Axial slice 261 of 527 of a contrast-enhanced abdominal CT in the arterial phase (slice 1 is the lowest), 120 kVp, kernel I30f; 1.00 mm slice thickness and 0.859 mm pixels.
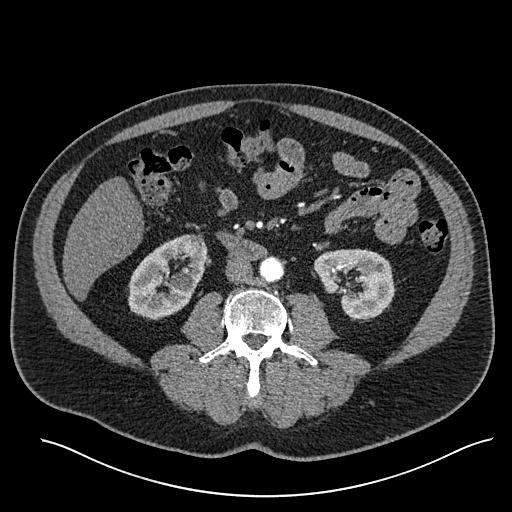
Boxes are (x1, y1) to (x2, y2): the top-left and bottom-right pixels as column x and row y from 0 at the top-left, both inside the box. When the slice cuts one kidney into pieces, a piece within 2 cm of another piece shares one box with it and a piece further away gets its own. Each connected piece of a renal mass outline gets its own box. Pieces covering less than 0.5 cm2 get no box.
Two boxes on this slice (two kidney boxes), listed by box centre from the image's left to its right. (1) Box (128, 234) to (207, 318): right kidney (outlined area 4,533 px, about 33.5 cm2). (2) Left kidney from (313, 248) to (395, 320) (outlined area 3,024 px, about 22.3 cm2). No renal mass outline on this slice.